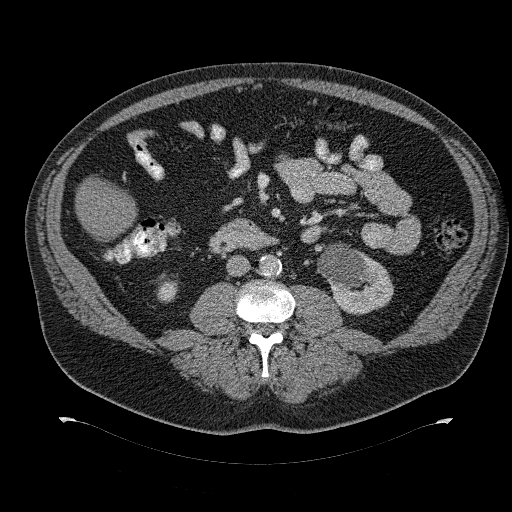
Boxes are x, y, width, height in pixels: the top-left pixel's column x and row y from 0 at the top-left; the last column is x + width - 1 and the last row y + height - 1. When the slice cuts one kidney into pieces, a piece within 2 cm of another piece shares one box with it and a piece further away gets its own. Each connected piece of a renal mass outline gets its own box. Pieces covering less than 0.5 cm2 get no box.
Slice 160/274 of a contrast-enhanced abdominal CT, counting up from the lowest; pixel size 0.977 mm, slice thickness 2.00 mm. Boxed on this slice (two kidney boxes), listed by box centre from the image's left to its right: (1) Right kidney, box x 157, y 273, width 21, height 30 (outlined area 447 px, about 4.3 cm2). (2) Box x 317, y 245, width 77, height 70: left kidney (outlined area 3,631 px, about 34.6 cm2). No renal mass is outlined on this slice.
Acquired at 120 kVp and reconstructed with the B31f kernel.